Axial slice 351 of 548 of a contrast-enhanced abdominal CT in the arterial phase (slice 1 is the lowest), 120 kVp, kernel I26f; 1.00 mm slice thickness and 0.852 mm pixels.
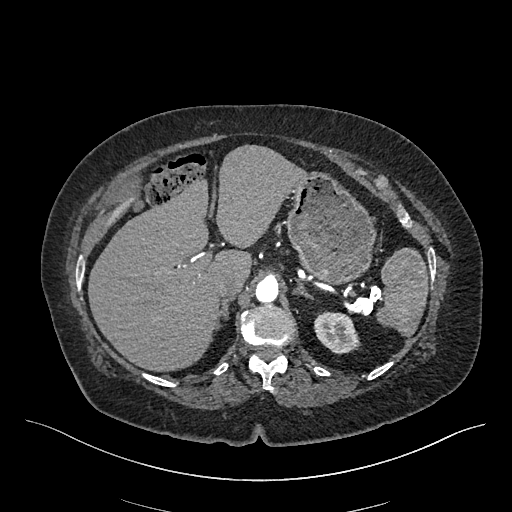
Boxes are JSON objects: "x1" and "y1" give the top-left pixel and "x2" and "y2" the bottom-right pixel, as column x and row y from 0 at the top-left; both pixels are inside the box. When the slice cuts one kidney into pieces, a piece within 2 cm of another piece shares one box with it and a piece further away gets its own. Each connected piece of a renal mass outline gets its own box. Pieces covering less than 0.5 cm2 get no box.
Box {"x1": 314, "y1": 311, "x2": 360, "y2": 354}: left kidney (outlined area 1,486 px, about 10.8 cm2). No renal mass is outlined on this slice.